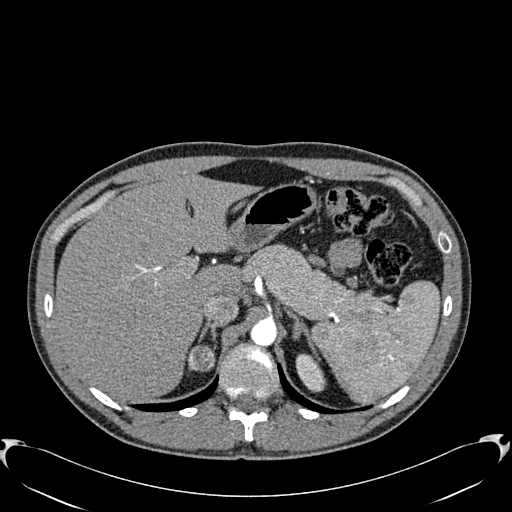
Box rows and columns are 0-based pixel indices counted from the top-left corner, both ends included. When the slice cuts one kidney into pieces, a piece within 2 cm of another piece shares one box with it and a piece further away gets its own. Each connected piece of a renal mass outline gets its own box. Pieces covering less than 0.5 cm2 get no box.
This is axial slice 454 of 512 (slice 1 is the lowest) of an arterial-phase abdominal CT with contrast; each pixel is 0.771 mm and the slice is 1.00 mm thick. Three boxes on this slice (two kidney boxes and one renal mass box), listed by box centre from the image's left to its right. (1) Box rows 345–370, columns 187–200: right kidney (outlined area 141 px, about 0.8 cm2). (2) Box rows 345–371, columns 193–215: right renal mass (outlined area 492 px, about 2.9 cm2). (3) Left kidney, box rows 353–392, columns 295–326 (outlined area 831 px, about 4.9 cm2).
Scan settings: 120 kVp, B30f reconstruction kernel.